Contrast-enhanced abdominal CT, axial slice 25 of 43 (counted from the lowest slice); tube voltage 120 kVp, convolution kernel B31f; slices 5.00 mm thick, 0.701 mm per pixel.
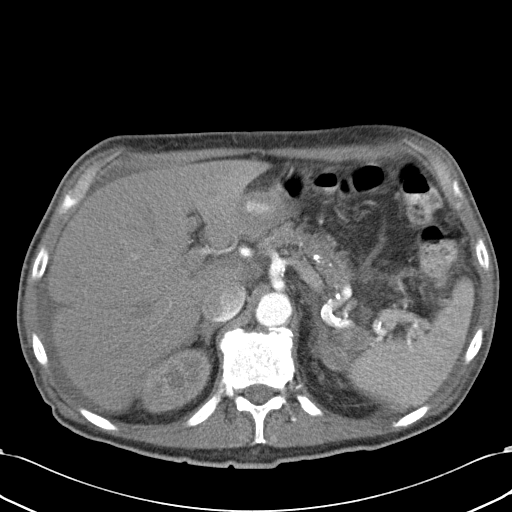
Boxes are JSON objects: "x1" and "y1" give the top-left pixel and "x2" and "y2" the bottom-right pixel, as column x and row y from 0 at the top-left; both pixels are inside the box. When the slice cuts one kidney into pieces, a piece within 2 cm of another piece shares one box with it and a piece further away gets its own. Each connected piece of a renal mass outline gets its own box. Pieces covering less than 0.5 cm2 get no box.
Two boxes on this slice (one kidney box and one renal mass box), listed by box centre from the image's left to its right. (1) Right kidney at {"x1": 141, "y1": 348, "x2": 209, "y2": 413} (outlined area 3,282 px, about 16.1 cm2). (2) Left renal mass at {"x1": 322, "y1": 325, "x2": 371, "y2": 372} (outlined area 1,419 px, about 7.0 cm2); here it is more than 1 cm from any kidney outline, though on another slice the same outlined renal mass lies within 1 cm of the kidney.